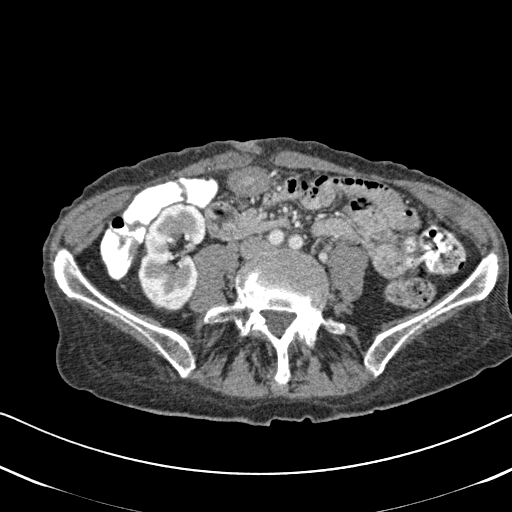
Arterial-phase contrast-enhanced abdominal CT, axial slice 233 of 620 (counted from the lowest slice); tube voltage 120 kVp, convolution kernel B31f; slices 2.00 mm thick, 0.637 mm per pixel.
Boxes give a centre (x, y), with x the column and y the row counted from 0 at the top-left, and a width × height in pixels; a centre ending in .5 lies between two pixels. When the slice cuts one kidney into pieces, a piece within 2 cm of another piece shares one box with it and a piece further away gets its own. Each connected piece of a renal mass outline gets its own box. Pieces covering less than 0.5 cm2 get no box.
Right kidney, box centre (172.5, 257), 72 × 111 pixels (outlined area 5,652 px, about 22.9 cm2). No renal mass is outlined on this slice.